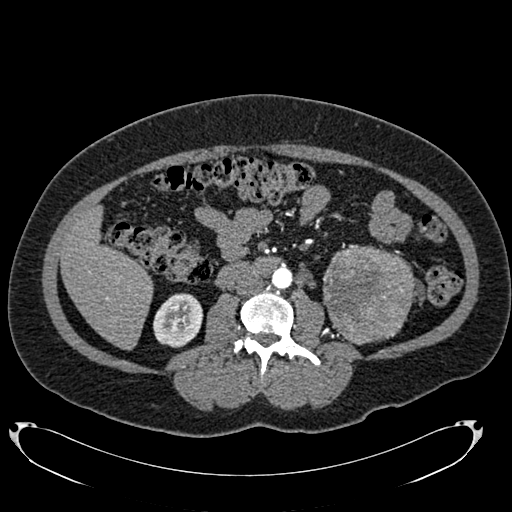
One axial slice (359 of 634, counting up from the lowest) of an arterial-phase abdominal CT acquired with 120 kVp, kernel B20f; each pixel is 0.838 mm and the slice is 1.00 mm thick.
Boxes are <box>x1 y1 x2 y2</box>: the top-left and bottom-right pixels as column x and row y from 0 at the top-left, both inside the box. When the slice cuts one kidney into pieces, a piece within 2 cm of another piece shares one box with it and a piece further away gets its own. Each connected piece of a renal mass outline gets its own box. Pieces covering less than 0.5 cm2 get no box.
One kidney box and one renal mass box on this slice; by box centre, from the image's left to its right: (1) At <box>153 293 203 347</box>: right kidney (outlined area 2,113 px, about 14.8 cm2). (2) Left renal mass: <box>323 244 415 345</box> (outlined area 7,296 px, about 51.2 cm2); on this slice it lies more than 1 cm from any kidney outline, but the same outlined renal mass comes within 1 cm of the kidney on another slice.